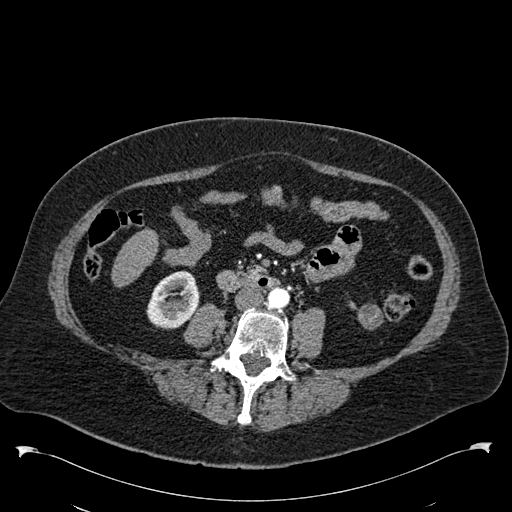
One axial slice (224 of 538, counting up from the lowest) of an arterial-phase abdominal CT acquired with 120 kVp, kernel B30f; each pixel is 0.811 mm and the slice is 1.00 mm thick.
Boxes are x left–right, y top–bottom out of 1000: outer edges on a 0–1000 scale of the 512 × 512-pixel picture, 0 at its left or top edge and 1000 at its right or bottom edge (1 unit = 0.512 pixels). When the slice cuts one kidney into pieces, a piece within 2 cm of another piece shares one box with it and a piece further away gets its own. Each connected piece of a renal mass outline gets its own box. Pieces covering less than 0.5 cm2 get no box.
Two boxes on this slice (one kidney box and one renal mass box), listed by box centre from the image's left to its right. (1) Right kidney, box x 285–391, y 527–645 out of 1000 (outlined area 2,303 px, about 15.1 cm2). (2) Left renal mass at x 688–750, y 592–645 out of 1000 (outlined area 555 px, about 3.6 cm2); it sits over 1 cm from every kidney outline on this slice, but the same outlined renal mass comes within 1 cm of the kidney on another slice.